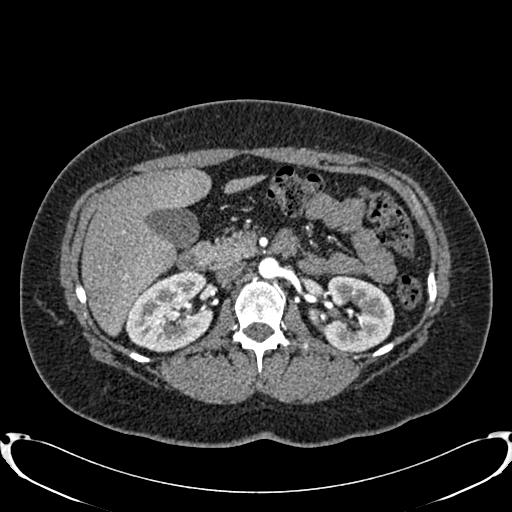
Arterial-phase contrast-enhanced abdominal CT, axial slice 492 of 719 (counted from the lowest slice); tube voltage 120 kVp, convolution kernel B20f; slices 1.00 mm thick, 0.766 mm per pixel.
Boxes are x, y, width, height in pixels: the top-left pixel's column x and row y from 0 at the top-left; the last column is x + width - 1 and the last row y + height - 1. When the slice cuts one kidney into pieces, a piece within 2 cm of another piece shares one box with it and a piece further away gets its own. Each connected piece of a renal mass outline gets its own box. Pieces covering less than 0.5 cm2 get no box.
Two kidney boxes on this slice; by box centre, from the image's left to its right: (1) Right kidney, box x 125, y 269, width 89, height 84 (outlined area 5,330 px, about 31.2 cm2). (2) Left kidney, box x 322, y 275, width 73, height 77 (outlined area 4,241 px, about 24.9 cm2). No renal mass is outlined on this slice.